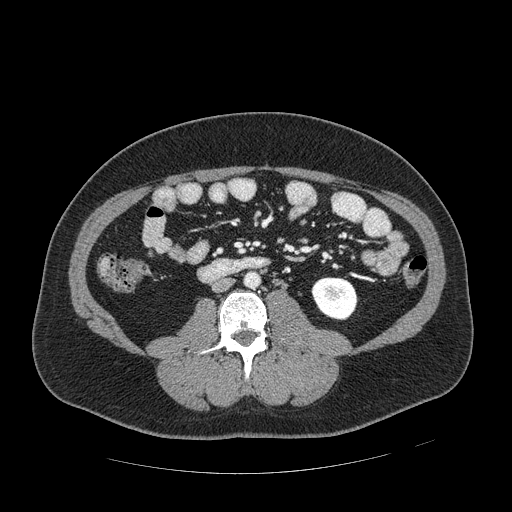
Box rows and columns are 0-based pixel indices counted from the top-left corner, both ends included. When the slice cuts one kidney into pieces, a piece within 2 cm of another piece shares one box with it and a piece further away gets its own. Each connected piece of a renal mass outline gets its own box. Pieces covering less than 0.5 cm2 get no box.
Slice 220/389 of a contrast-enhanced abdominal CT in the arterial phase, counting up from the lowest; pixel size 0.869 mm, slice thickness 1.25 mm. Left kidney, box rows 277–320, columns 311–357 (outlined area 1,604 px, about 12.1 cm2). No renal mass outline on this slice.
Tube voltage 120 kVp; convolution kernel STANDARD.